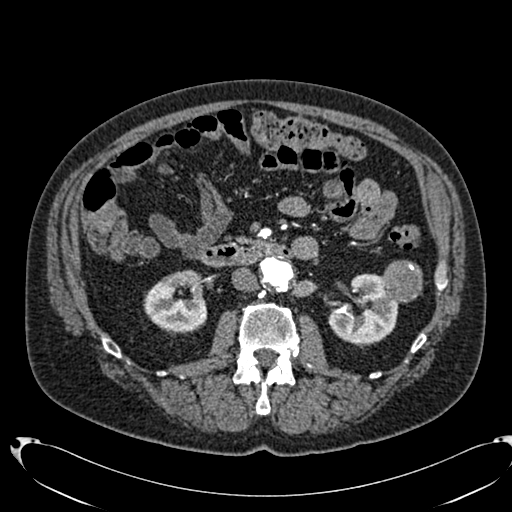
Abdominal CT with intravenous contrast, arterial phase, axial plane, 120 kVp, kernel B20f. Slice 390/553 from the bottom of the scan; thickness 1.00 mm; pixel size 0.773 mm.
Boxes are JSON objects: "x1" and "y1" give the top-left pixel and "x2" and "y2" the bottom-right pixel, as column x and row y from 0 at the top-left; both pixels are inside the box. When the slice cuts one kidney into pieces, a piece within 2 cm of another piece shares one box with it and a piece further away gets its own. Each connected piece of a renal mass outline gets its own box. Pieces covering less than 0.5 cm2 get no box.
Boxed on this slice (two kidney boxes and one renal mass box), listed by box centre from the image's left to its right: (1) Right kidney at {"x1": 143, "y1": 270, "x2": 207, "y2": 333} (outlined area 3,008 px, about 18.0 cm2). (2) Box {"x1": 329, "y1": 273, "x2": 398, "y2": 343}: left kidney (outlined area 3,399 px, about 20.3 cm2). (3) Left renal mass, box {"x1": 382, "y1": 260, "x2": 422, "y2": 302} (outlined area 1,426 px, about 8.5 cm2).